One axial slice (415 of 626, counting up from the lowest) of an arterial-phase abdominal CT acquired with 120 kVp, kernel I30f; each pixel is 0.703 mm and the slice is 1.00 mm thick.
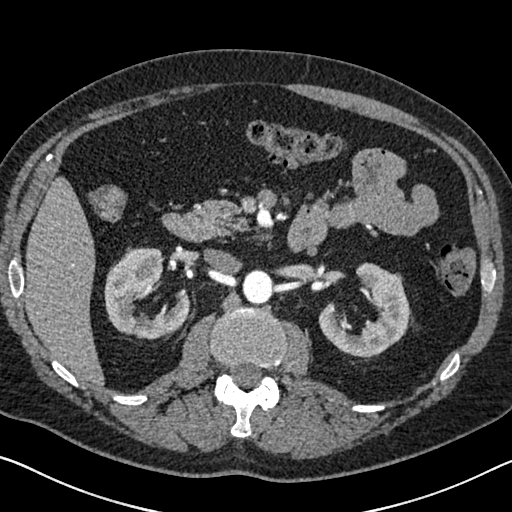
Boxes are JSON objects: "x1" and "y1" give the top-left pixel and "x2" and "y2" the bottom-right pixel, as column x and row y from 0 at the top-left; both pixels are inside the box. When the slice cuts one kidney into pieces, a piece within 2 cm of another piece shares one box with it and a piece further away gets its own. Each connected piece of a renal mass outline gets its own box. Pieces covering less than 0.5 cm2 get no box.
Boxed on this slice (two kidney boxes), listed by box centre from the image's left to its right: (1) Right kidney at {"x1": 104, "y1": 247, "x2": 189, "y2": 338} (outlined area 4,937 px, about 24.4 cm2). (2) Left kidney at {"x1": 318, "y1": 262, "x2": 410, "y2": 357} (outlined area 4,820 px, about 23.8 cm2). No renal mass is outlined on this slice.